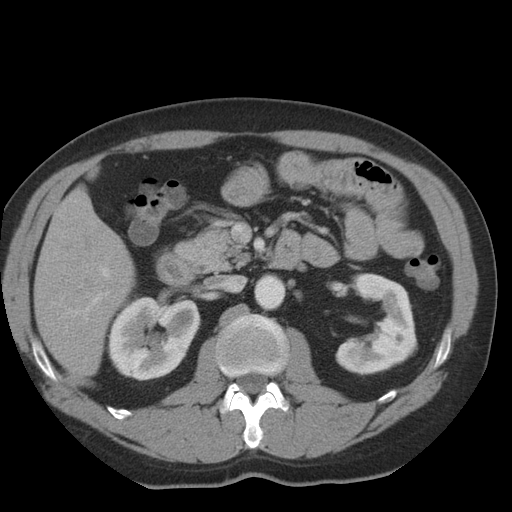
Axial slice 17 of 36 of a contrast-enhanced abdominal CT in the arterial phase (slice 1 is the lowest), 140 kVp, kernel STANDARD; 5.00 mm slice thickness and 0.703 mm pixels.
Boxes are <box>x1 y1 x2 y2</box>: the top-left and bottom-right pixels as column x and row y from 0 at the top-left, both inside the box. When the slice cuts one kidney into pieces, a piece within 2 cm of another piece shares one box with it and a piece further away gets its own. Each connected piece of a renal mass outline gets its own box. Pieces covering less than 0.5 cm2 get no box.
Two kidney boxes on this slice; by box centre, from the image's left to its right: (1) Right kidney: <box>107 295 200 381</box> (outlined area 6,172 px, about 30.5 cm2). (2) Left kidney: <box>334 273 417 375</box> (outlined area 5,379 px, about 26.6 cm2). No renal mass outline on this slice.